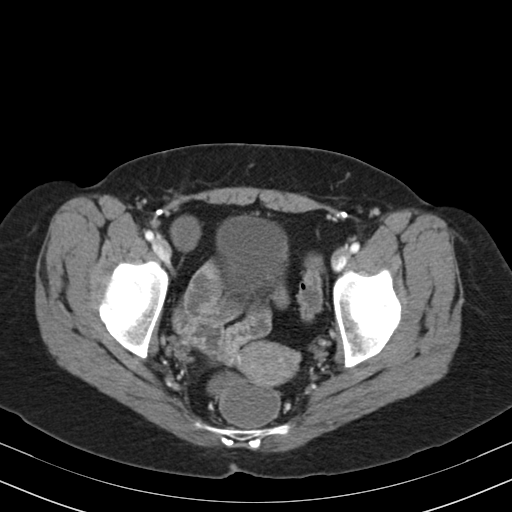
Axial slice 37 of 164 of a contrast-enhanced abdominal CT in the arterial phase (slice 1 is the lowest), 130 kVp, kernel B30s; 3.00 mm slice thickness and 0.664 mm pixels.
No kidney and no renal mass is outlined on this slice; the outlines in this scan cover only the kidneys and the renal masses, so nothing is said about any other organ.